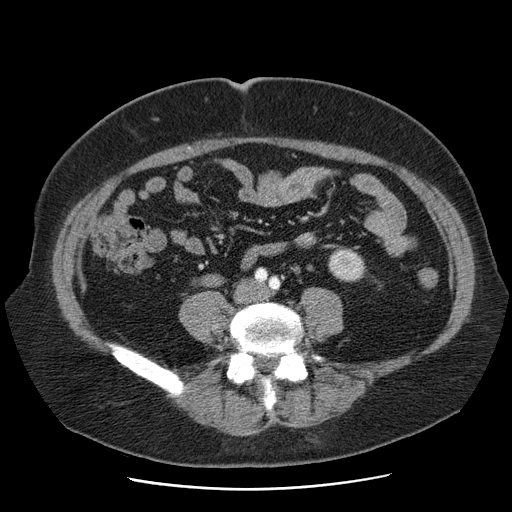
Contrast-enhanced abdominal CT, axial slice 9 of 103 (counted from the lowest slice); tube voltage 120 kVp, convolution kernel STANDARD; slices 2.50 mm thick, 0.736 mm per pixel.
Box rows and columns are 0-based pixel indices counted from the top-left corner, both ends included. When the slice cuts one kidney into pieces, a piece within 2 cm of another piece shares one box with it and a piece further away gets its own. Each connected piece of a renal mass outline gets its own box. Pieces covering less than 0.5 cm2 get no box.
Box rows 248–282, columns 327–365: left kidney (outlined area 1,035 px, about 5.6 cm2). This slice carries no renal mass outline.